Contrast-enhanced abdominal CT, axial slice 27 of 103 (counted from the lowest slice); tube voltage 120 kVp, convolution kernel STANDARD; slices 2.50 mm thick, 0.820 mm per pixel.
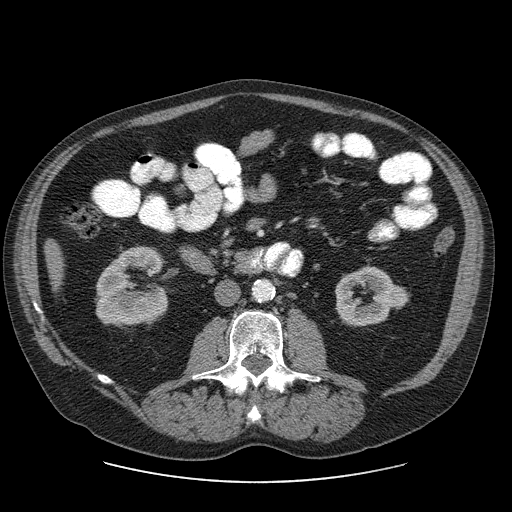
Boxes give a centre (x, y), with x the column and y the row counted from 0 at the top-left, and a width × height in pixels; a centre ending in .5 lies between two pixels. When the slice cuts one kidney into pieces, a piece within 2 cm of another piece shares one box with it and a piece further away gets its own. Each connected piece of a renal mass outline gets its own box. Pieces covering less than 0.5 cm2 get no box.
Two kidney boxes on this slice; by box centre, from the image's left to its right: (1) Right kidney in a box with centre (131.5, 285), 74 × 79 pixels (outlined area 4,255 px, about 28.6 cm2). (2) Left kidney, box centre (371, 295.5), 73 × 62 pixels (outlined area 3,015 px, about 20.3 cm2). This slice carries no renal mass outline.